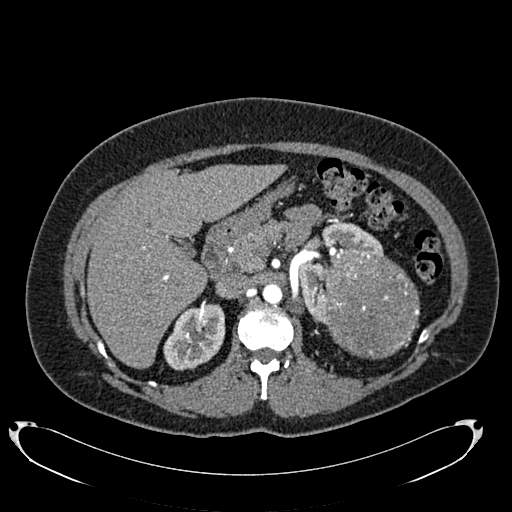
One axial slice (481 of 634, counting up from the lowest) of an arterial-phase abdominal CT acquired with 120 kVp, kernel B20f; each pixel is 0.838 mm and the slice is 1.00 mm thick.
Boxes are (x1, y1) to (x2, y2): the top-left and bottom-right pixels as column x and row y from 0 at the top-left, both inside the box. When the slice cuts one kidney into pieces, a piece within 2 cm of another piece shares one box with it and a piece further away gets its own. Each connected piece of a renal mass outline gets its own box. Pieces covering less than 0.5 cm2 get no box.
Two kidney boxes and one renal mass box on this slice; by box centre, from the image's left to its right: (1) Right kidney from (163, 304) to (225, 370) (outlined area 3,065 px, about 21.5 cm2). (2) Left kidney from (298, 222) to (383, 324) (outlined area 3,536 px, about 24.8 cm2). (3) Box (326, 254) to (419, 359): left renal mass (outlined area 8,000 px, about 56.2 cm2).